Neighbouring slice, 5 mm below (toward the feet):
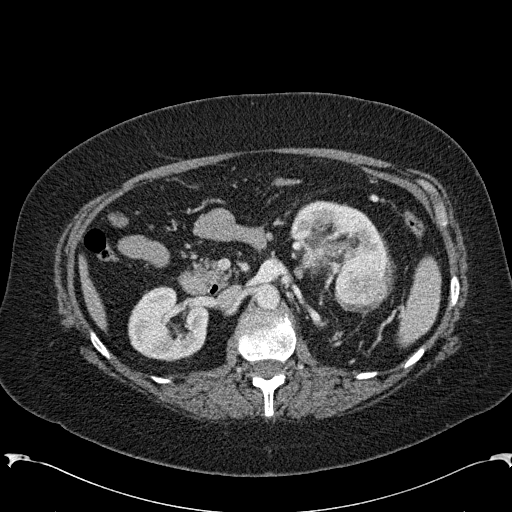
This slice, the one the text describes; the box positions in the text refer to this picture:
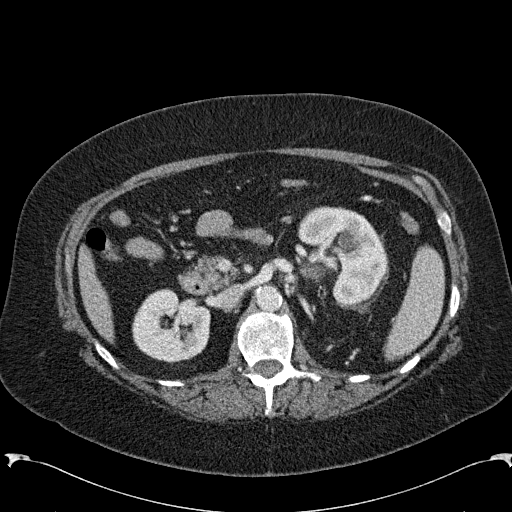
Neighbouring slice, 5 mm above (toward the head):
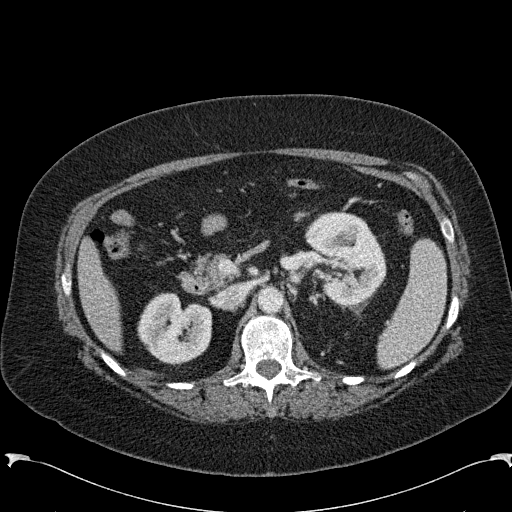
Axial slice 146 of 285 of a contrast-enhanced abdominal CT in the arterial phase (slice 1 is the lowest), 120 kVp, kernel B31f; 2.00 mm slice thickness and 0.762 mm pixels.
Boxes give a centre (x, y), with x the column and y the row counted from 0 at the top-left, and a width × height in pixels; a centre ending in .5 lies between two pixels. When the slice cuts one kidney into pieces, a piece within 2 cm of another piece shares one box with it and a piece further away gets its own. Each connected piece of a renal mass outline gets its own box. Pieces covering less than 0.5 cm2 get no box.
Three boxes on this slice (two kidney boxes and one renal mass box), listed by box centre from the image's left to its right. (1) Right kidney, box centre (171, 325.5), 79 × 76 pixels (outlined area 4,463 px, about 25.9 cm2). (2) Box centre (342.5, 255.5), 92 × 100 pixels: left kidney (outlined area 6,059 px, about 35.2 cm2). (3) Left renal mass in a box with centre (370.5, 280.5), 16 × 16 pixels (outlined area 211 px, about 1.2 cm2). This slice is near the end of the left renal mass toward the head, so the slices 5 mm below and 5 mm above it are shown as well; the boxes refer to this slice only.